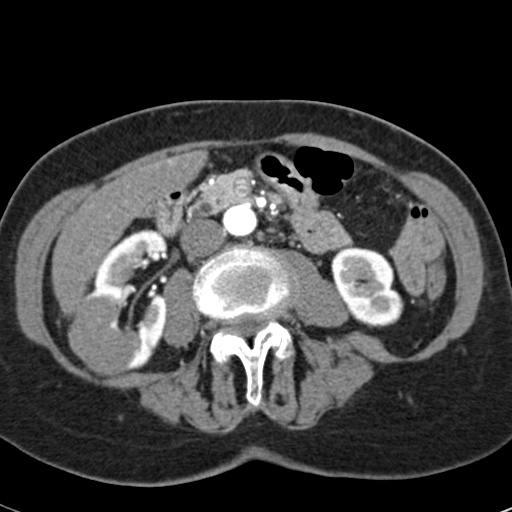
One axial slice (21 of 53, counting up from the lowest) of an arterial-phase abdominal CT acquired with 120 kVp, kernel B30f; each pixel is 0.547 mm and the slice is 3.00 mm thick.
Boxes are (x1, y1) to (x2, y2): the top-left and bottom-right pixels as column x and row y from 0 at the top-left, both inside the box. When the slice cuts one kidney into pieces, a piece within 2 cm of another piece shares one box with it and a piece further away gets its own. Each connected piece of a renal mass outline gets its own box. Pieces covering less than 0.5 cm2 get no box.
Boxed on this slice (two kidney boxes and one renal mass box), listed by box centre from the image's left to its right: (1) Box (67, 294) to (141, 376): right renal mass (outlined area 4,120 px, about 12.3 cm2). (2) Box (72, 229) to (168, 371): right kidney (outlined area 5,506 px, about 16.5 cm2). (3) Left kidney from (331, 246) to (403, 326) (outlined area 4,226 px, about 12.6 cm2).